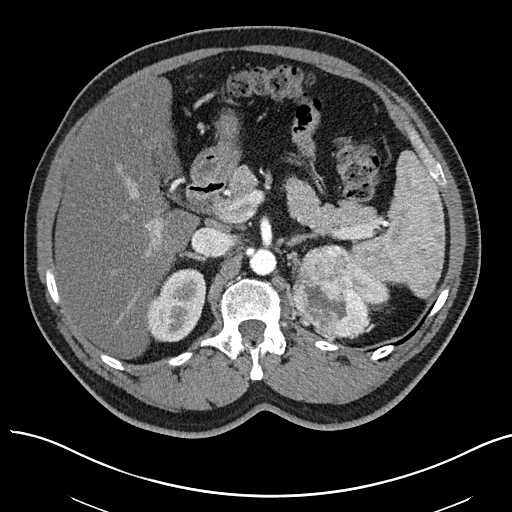
Abdominal CT with intravenous contrast, arterial phase, axial plane, 100 kVp, kernel I40f. Slice 49/97 from the bottom of the scan; thickness 3.00 mm; pixel size 0.797 mm.
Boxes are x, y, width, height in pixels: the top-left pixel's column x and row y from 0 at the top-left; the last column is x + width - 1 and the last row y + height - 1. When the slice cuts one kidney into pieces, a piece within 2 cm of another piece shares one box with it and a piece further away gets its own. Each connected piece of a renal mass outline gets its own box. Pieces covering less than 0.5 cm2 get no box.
Two kidney boxes and one renal mass box on this slice; by box centre, from the image's left to its right: (1) Right kidney at x 146, y 268, width 61, height 75 (outlined area 3,313 px, about 21.0 cm2). (2) Box x 291, y 244, width 84, height 98: left renal mass (outlined area 5,603 px, about 35.6 cm2). (3) Box x 354, y 261, width 36, height 50: left kidney (outlined area 1,063 px, about 6.8 cm2).